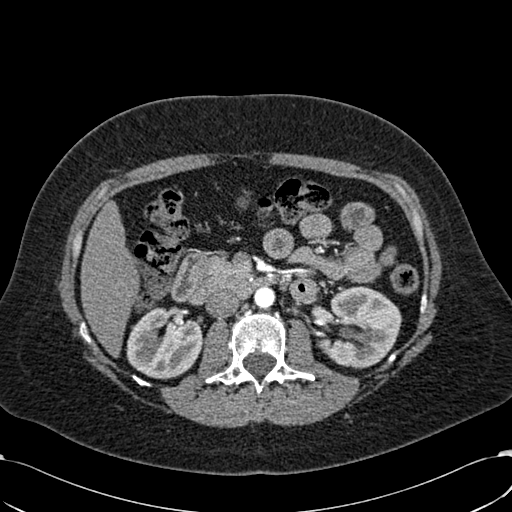
Arterial-phase contrast-enhanced abdominal CT, axial slice 357 of 532 (counted from the lowest slice); tube voltage 120 kVp, convolution kernel B30f; slices 1.00 mm thick, 0.713 mm per pixel.
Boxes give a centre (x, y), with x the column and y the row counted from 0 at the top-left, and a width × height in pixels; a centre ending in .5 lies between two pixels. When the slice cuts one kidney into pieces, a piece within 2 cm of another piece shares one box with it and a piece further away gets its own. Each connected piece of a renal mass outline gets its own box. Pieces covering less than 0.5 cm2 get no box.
Two kidney boxes on this slice; by box centre, from the image's left to its right: (1) Right kidney in a box with centre (164, 343), 77 × 73 pixels (outlined area 4,167 px, about 21.2 cm2). (2) Left kidney in a box with centre (363, 327), 77 × 83 pixels (outlined area 4,814 px, about 24.5 cm2). No renal mass is outlined on this slice.